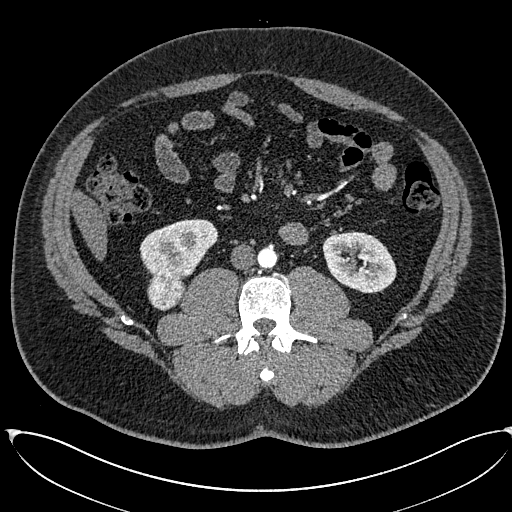
Abdominal CT with intravenous contrast, arterial phase, axial plane, 120 kVp, kernel I30f. Slice 273/673 from the bottom of the scan; thickness 1.00 mm; pixel size 0.855 mm.
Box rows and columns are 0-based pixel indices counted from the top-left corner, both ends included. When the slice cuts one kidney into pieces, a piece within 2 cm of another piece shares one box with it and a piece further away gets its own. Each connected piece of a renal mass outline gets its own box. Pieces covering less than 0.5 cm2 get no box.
Boxed on this slice (two kidney boxes and one renal mass box), listed by box centre from the image's left to its right: (1) Box rows 271–311, columns 147–184: right renal mass (outlined area 1,195 px, about 8.7 cm2). (2) Right kidney, box rows 219–277, columns 139–218 (outlined area 3,268 px, about 23.9 cm2). (3) Left kidney at rows 231–293, columns 322–396 (outlined area 3,452 px, about 25.3 cm2).